Abdominal CT with intravenous contrast, arterial phase, axial plane, 120 kVp, kernel STANDARD. Slice 62/105 from the bottom of the scan; thickness 5.00 mm; pixel size 0.707 mm.
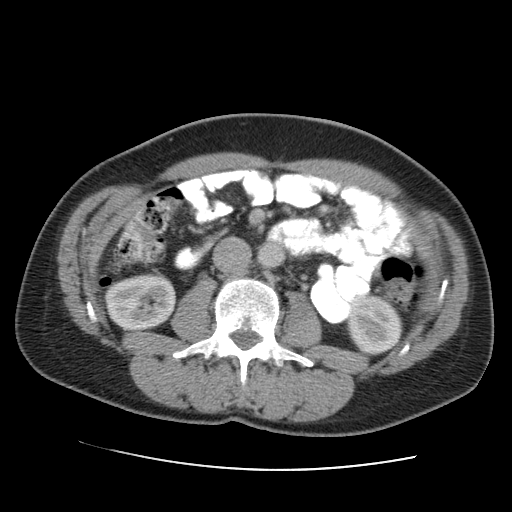
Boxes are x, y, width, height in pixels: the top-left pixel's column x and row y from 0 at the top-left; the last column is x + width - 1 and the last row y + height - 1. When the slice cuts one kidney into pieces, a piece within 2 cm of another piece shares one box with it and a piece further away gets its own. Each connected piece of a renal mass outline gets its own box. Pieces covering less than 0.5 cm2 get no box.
Two boxes on this slice (two kidney boxes), listed by box centre from the image's left to its right. (1) Box x 103, y 273, width 75, height 58: right kidney (outlined area 3,372 px, about 16.9 cm2). (2) Box x 347, y 294, width 56, height 63: left kidney (outlined area 2,700 px, about 13.5 cm2). No renal mass is outlined on this slice.